Contrast-enhanced abdominal CT, axial slice 40 of 76 (counted from the lowest slice); tube voltage 120 kVp, convolution kernel B; slices 3.00 mm thick, 0.684 mm per pixel.
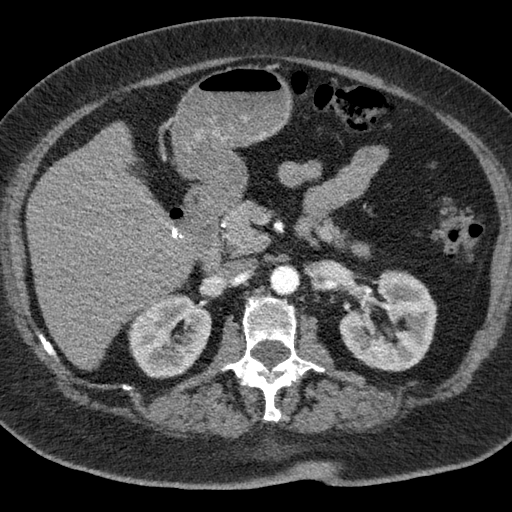
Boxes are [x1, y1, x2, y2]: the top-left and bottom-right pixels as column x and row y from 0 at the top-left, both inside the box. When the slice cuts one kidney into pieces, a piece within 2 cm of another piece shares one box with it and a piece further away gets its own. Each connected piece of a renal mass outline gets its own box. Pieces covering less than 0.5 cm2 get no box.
Two boxes on this slice (two kidney boxes), listed by box centre from the image's left to its right. (1) Right kidney, box [127, 293, 211, 379] (outlined area 5,325 px, about 24.9 cm2). (2) Left kidney at [339, 269, 437, 371] (outlined area 6,943 px, about 32.4 cm2). No renal mass is outlined on this slice.